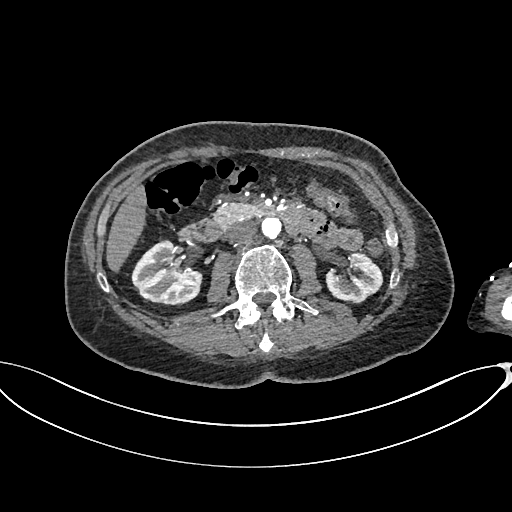
Arterial-phase contrast-enhanced abdominal CT, axial slice 378 of 665 (counted from the lowest slice); tube voltage 100 kVp, convolution kernel I26f; slices 1.00 mm thick, 0.828 mm per pixel.
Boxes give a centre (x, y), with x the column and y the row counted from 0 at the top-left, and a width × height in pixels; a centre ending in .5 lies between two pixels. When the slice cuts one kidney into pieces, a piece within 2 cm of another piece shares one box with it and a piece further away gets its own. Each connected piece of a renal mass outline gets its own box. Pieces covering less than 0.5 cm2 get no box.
Boxed on this slice (two kidney boxes), listed by box centre from the image's left to its right: (1) Right kidney in a box with centre (166.5, 272), 72 × 67 pixels (outlined area 3,367 px, about 23.1 cm2). (2) Left kidney, box centre (354, 277.5), 59 × 52 pixels (outlined area 2,118 px, about 14.5 cm2). No renal mass is outlined on this slice.